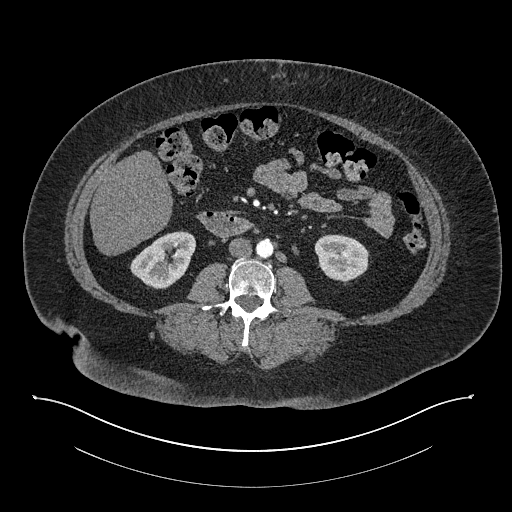
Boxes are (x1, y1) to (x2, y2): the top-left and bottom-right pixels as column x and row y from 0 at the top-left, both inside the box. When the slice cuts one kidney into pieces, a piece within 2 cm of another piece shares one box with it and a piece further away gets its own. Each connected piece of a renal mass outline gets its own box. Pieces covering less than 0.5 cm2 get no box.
Slice 385/673 of a contrast-enhanced abdominal CT in the arterial phase, counting up from the lowest; pixel size 0.957 mm, slice thickness 1.00 mm. Boxed on this slice (two kidney boxes), listed by box centre from the image's left to its right: (1) Right kidney, box (130, 231) to (195, 289) (outlined area 2,590 px, about 23.7 cm2). (2) Left kidney, box (314, 234) to (369, 284) (outlined area 2,050 px, about 18.8 cm2). This slice carries no renal mass outline.
Acquired at 140 kVp and reconstructed with the I30f kernel.